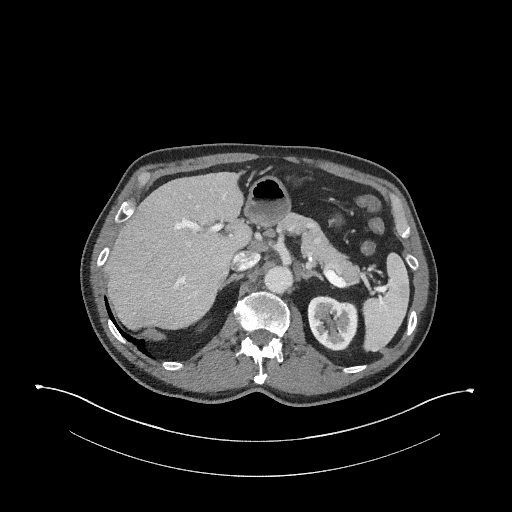
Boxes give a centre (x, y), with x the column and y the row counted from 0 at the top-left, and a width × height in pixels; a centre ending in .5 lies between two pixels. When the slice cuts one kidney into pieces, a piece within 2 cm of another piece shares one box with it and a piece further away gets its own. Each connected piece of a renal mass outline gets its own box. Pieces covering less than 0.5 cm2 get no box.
Slice 177/345 of a contrast-enhanced abdominal CT in the arterial phase, counting up from the lowest; pixel size 0.977 mm, slice thickness 2.00 mm. Box centre (332.5, 323), 52 × 57 pixels: left kidney (outlined area 2,240 px, about 21.4 cm2). This slice carries no renal mass outline.
Tube voltage 120 kVp; convolution kernel I31f.